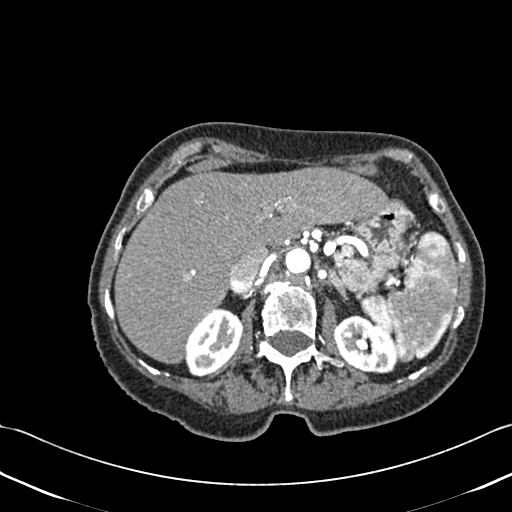
Axial slice 312 of 433 of a contrast-enhanced abdominal CT (slice 1 is the lowest), 120 kVp, kernel B30f; 1.00 mm slice thickness and 0.672 mm pixels.
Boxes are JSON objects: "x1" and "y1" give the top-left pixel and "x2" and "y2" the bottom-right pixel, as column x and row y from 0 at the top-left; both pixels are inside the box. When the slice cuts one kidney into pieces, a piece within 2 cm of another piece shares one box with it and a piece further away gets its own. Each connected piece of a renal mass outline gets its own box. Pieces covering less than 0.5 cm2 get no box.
Two boxes on this slice (two kidney boxes), listed by box centre from the image's left to its right. (1) Box {"x1": 185, "y1": 307, "x2": 243, "y2": 377}: right kidney (outlined area 2,841 px, about 12.8 cm2). (2) Left kidney at {"x1": 334, "y1": 315, "x2": 397, "y2": 373} (outlined area 2,760 px, about 12.5 cm2). No renal mass is outlined on this slice.